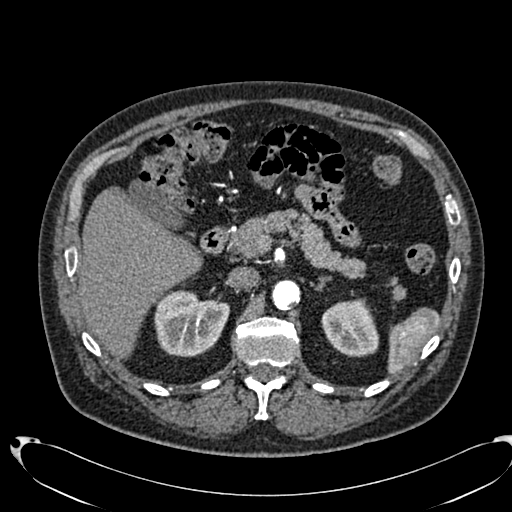
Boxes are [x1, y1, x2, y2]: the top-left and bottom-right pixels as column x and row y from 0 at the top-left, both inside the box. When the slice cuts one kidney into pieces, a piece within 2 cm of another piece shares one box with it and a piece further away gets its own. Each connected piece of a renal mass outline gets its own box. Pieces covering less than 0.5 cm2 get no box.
Slice 469/553 of a contrast-enhanced abdominal CT in the arterial phase, counting up from the lowest; pixel size 0.773 mm, slice thickness 1.00 mm. Two kidney boxes on this slice; by box centre, from the image's left to its right: (1) Box [154, 290, 229, 356]: right kidney (outlined area 3,874 px, about 23.2 cm2). (2) Left kidney, box [321, 298, 378, 356] (outlined area 2,541 px, about 15.2 cm2). No renal mass is outlined on this slice.
Tube voltage 120 kVp; convolution kernel B20f.